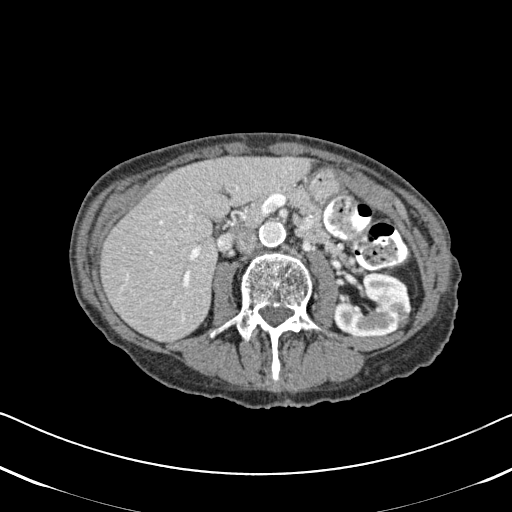
One axial slice (291 of 620, counting up from the lowest) of an arterial-phase abdominal CT acquired with 120 kVp, kernel B31f; each pixel is 0.637 mm and the slice is 2.00 mm thick.
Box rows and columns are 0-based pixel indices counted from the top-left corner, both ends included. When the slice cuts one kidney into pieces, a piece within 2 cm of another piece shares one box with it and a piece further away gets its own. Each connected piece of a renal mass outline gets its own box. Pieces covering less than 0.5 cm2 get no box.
Left kidney, box rows 272–337, columns 333–412 (outlined area 3,738 px, about 15.2 cm2). No renal mass outline on this slice.